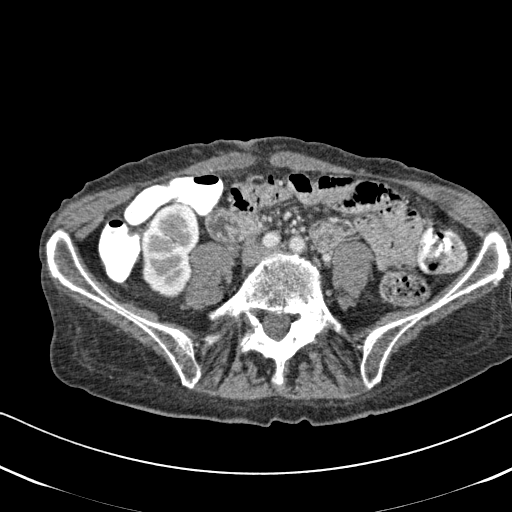
Abdominal CT with intravenous contrast, arterial phase, axial plane, 120 kVp, kernel B31f. Slice 225/620 from the bottom of the scan; thickness 2.00 mm; pixel size 0.637 mm.
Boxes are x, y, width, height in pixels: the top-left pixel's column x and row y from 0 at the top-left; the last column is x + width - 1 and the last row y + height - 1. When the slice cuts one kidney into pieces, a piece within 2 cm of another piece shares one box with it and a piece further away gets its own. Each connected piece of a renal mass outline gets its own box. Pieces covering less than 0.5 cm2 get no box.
Right kidney at x 141, y 203, width 60, height 97 (outlined area 4,507 px, about 18.3 cm2). No renal mass is outlined on this slice.